Arterial-phase contrast-enhanced abdominal CT, axial slice 311 of 735 (counted from the lowest slice); tube voltage 120 kVp, convolution kernel I30f; slices 1.00 mm thick, 0.789 mm per pixel.
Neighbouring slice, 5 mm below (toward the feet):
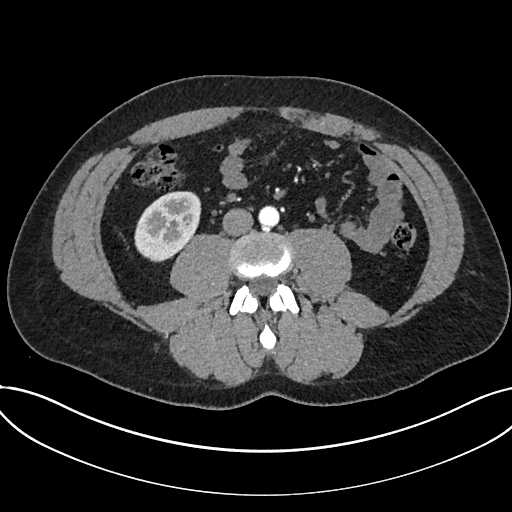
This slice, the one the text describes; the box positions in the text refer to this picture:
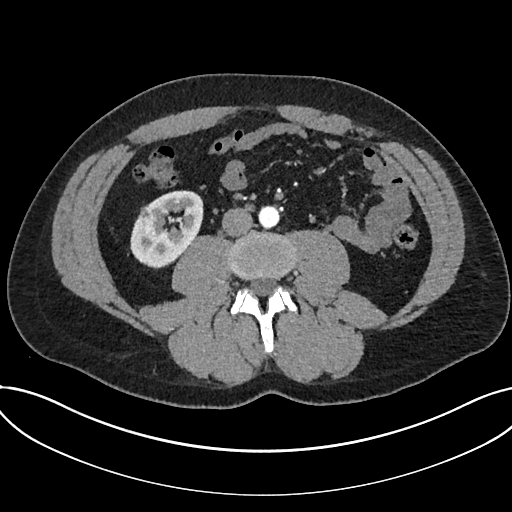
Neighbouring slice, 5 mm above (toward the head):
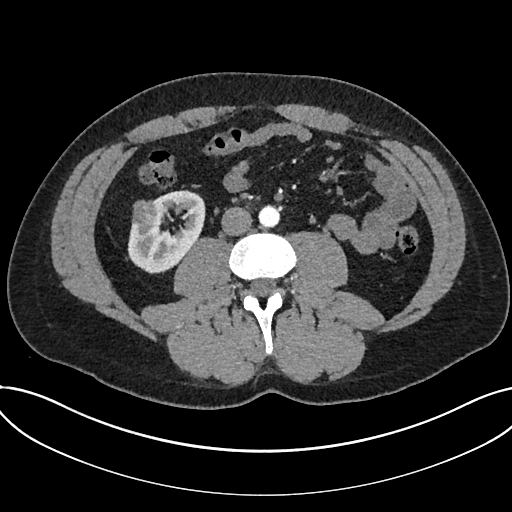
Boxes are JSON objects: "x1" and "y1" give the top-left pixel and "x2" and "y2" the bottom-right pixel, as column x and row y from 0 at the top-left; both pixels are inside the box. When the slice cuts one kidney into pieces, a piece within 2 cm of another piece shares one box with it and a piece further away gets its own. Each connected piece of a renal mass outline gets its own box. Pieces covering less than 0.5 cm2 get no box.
Two boxes on this slice (one kidney box and one renal mass box), listed by box centre from the image's left to its right. (1) Renal mass, box {"x1": 139, "y1": 203, "x2": 156, "y2": 218} (outlined area 215 px, about 1.3 cm2). (2) Box {"x1": 130, "y1": 190, "x2": 203, "y2": 267}: kidney (outlined area 3,890 px, about 24.2 cm2). This slice lies near the end of a renal mass toward the feet; the slices 5 mm below and 5 mm above it are shown too, and the boxes mark positions on this slice only.